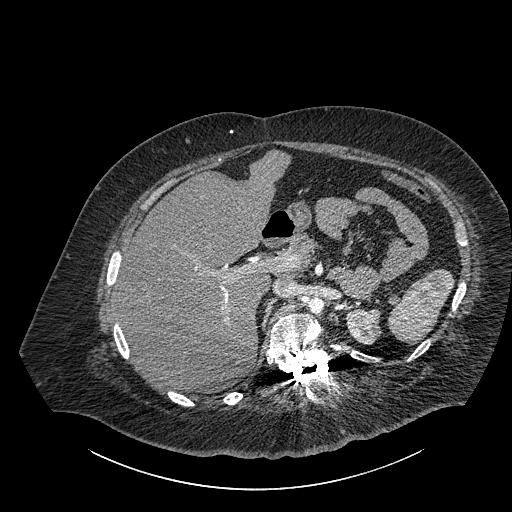
Contrast-enhanced abdominal CT, axial slice 630 of 834 (counted from the lowest slice); tube voltage 140 kVp, convolution kernel I30f; slices 1.00 mm thick, 0.977 mm per pixel.
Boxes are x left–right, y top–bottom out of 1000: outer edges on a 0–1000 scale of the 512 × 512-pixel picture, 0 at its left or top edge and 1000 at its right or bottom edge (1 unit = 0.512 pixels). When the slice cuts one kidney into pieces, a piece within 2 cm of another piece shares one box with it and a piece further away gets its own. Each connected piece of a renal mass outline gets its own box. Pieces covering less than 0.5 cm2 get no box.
Left part of the midline-crossing kidney, box x 674–746, y 602–674 out of 1000 (outlined area 1,056 px, about 10.1 cm2). No renal mass is outlined on this slice.